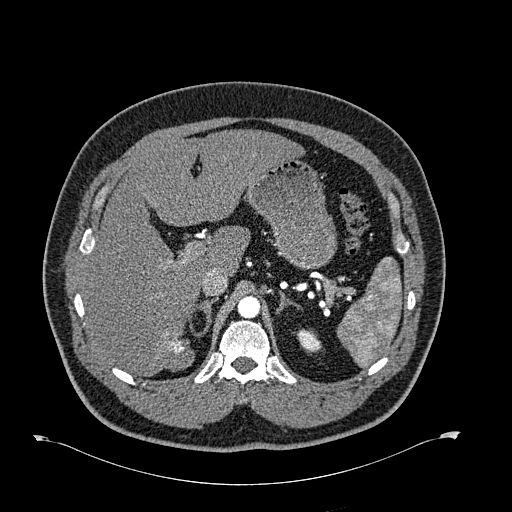
Abdominal CT with intravenous contrast, arterial phase, axial plane, 120 kVp, kernel B30f. Slice 494/723 from the bottom of the scan; thickness 1.00 mm; pixel size 0.895 mm.
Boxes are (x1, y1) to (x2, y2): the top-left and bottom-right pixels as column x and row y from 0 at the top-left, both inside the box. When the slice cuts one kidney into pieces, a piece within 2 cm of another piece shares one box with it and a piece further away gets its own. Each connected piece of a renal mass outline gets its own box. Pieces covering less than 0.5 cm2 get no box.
Box (296, 328) to (321, 354): left kidney (outlined area 449 px, about 3.6 cm2). No renal mass is outlined on this slice.